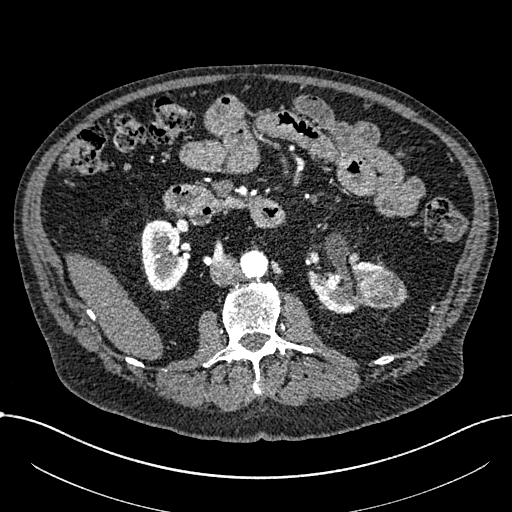
Abdominal CT with intravenous contrast, arterial phase, axial plane, 100 kVp, kernel I30f. Slice 382/1059 from the bottom of the scan; thickness 1.00 mm; pixel size 0.811 mm.
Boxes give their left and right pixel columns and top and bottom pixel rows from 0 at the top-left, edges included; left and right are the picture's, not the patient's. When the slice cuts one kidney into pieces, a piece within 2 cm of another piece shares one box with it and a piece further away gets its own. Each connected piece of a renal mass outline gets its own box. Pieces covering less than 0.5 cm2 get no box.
Three boxes on this slice (two kidney boxes and one renal mass box), listed by box centre from the image's left to its right. (1) Right part of the midline-crossing kidney in the box with left 141, top 220, right 189, bottom 291 (outlined area 2,605 px, about 17.1 cm2). (2) Left part of the midline-crossing kidney in the box with left 307, top 260, right 388, bottom 313 (outlined area 2,334 px, about 15.3 cm2). (3) Renal mass, the box with left 358, top 270, right 408, bottom 308 (outlined area 1,500 px, about 9.9 cm2).